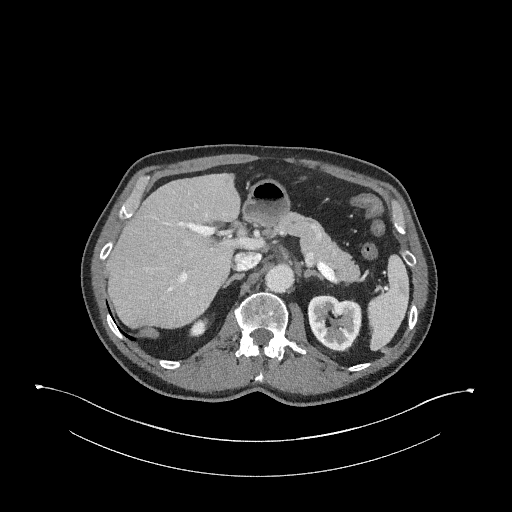
Arterial-phase contrast-enhanced abdominal CT, axial slice 175 of 345 (counted from the lowest slice); tube voltage 120 kVp, convolution kernel I31f; slices 2.00 mm thick, 0.977 mm per pixel.
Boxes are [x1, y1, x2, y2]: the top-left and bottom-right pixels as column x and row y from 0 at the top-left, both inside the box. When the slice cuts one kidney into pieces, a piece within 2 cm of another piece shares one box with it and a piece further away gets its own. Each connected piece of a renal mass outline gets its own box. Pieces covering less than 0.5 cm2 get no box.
Two boxes on this slice (two kidney boxes), listed by box centre from the image's left to its right. (1) Right kidney, box [189, 317, 210, 337] (outlined area 292 px, about 2.8 cm2). (2) Left kidney, box [307, 294, 361, 351] (outlined area 2,454 px, about 23.4 cm2). This slice carries no renal mass outline.